Abdominal CT with intravenous contrast, arterial phase, axial plane, 100 kVp, kernel I30f. Slice 213/1059 from the bottom of the scan; thickness 1.00 mm; pixel size 0.811 mm.
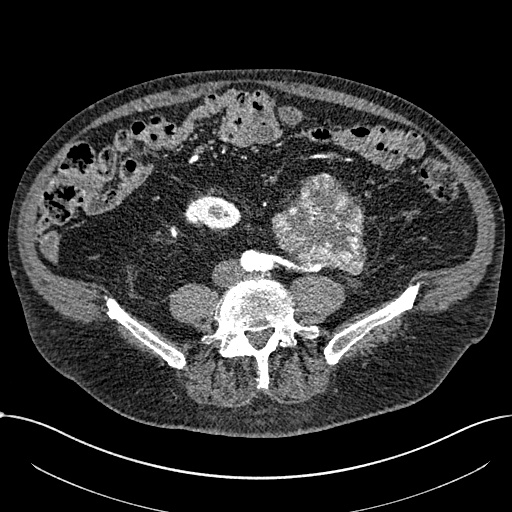
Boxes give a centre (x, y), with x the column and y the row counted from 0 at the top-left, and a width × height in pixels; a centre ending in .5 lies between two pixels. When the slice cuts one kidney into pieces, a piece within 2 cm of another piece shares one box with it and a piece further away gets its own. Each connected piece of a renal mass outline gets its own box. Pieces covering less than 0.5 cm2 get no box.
One kidney box and one renal mass box on this slice; by box centre, from the image's left to its right: (1) Right part of the midline-crossing kidney in a box with centre (212.5, 211), 58 × 35 pixels (outlined area 1,483 px, about 9.7 cm2). (2) Box centre (318.5, 223.5), 96 × 104 pixels: renal mass (outlined area 6,834 px, about 44.9 cm2); it sits over 1 cm from every kidney outline on this slice, but the same outlined renal mass comes within 1 cm of the kidney on another slice.